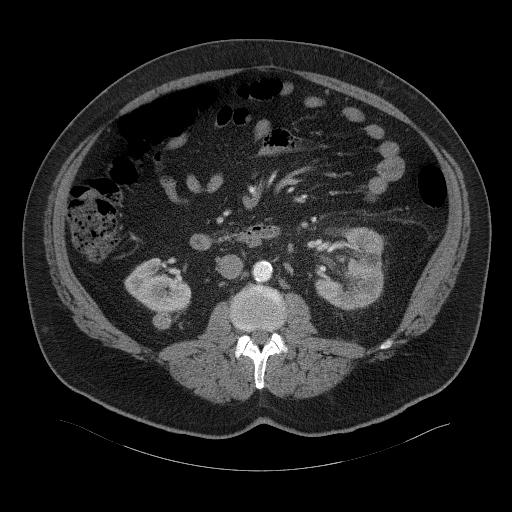
Abdominal CT with intravenous contrast, axial plane, 120 kVp, kernel B41f. Slice 23/94 from the bottom of the scan; thickness 3.00 mm; pixel size 0.977 mm.
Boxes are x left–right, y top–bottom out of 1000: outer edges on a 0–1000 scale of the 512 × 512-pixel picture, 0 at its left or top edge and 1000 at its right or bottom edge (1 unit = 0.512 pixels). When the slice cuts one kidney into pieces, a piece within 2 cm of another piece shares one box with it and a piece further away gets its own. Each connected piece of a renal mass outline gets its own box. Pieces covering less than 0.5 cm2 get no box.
Boxed on this slice (two kidney boxes and one renal mass box), listed by box centre from the image's left to its right: (1) Right kidney at x 244–373, y 504–611 out of 1000 (outlined area 2,430 px, about 23.2 cm2). (2) Right renal mass, box x 297–334, y 609–643 out of 1000 (outlined area 259 px, about 2.5 cm2). (3) Left kidney at x 615–752, y 445–607 out of 1000 (outlined area 4,099 px, about 39.1 cm2).